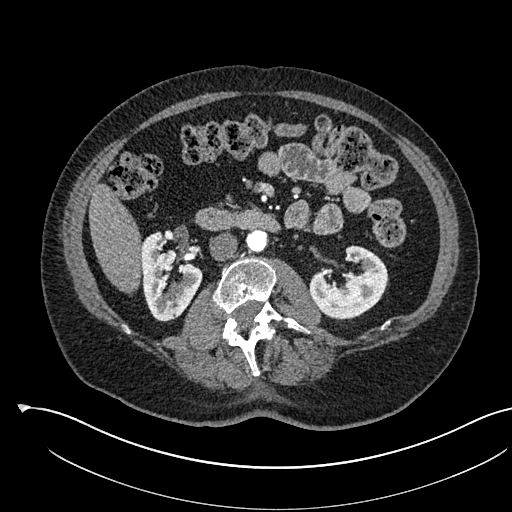
Arterial-phase contrast-enhanced abdominal CT, axial slice 295 of 541 (counted from the lowest slice); tube voltage 120 kVp, convolution kernel I30f; slices 1.00 mm thick, 0.834 mm per pixel.
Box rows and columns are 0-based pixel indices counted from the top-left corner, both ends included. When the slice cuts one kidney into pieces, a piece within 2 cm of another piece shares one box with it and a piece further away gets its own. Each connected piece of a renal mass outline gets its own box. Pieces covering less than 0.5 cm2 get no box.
Two boxes on this slice (two kidney boxes), listed by box centre from the image's left to its right. (1) Right kidney, box rows 231–321, columns 141–201 (outlined area 3,684 px, about 25.6 cm2). (2) Left kidney at rows 245–319, columns 309–388 (outlined area 3,845 px, about 26.7 cm2). This slice carries no renal mass outline.